One axial slice (15 of 49, counting up from the lowest) of an arterial-phase abdominal CT acquired with 120 kVp, kernel B31f; each pixel is 0.691 mm and the slice is 5.00 mm thick.
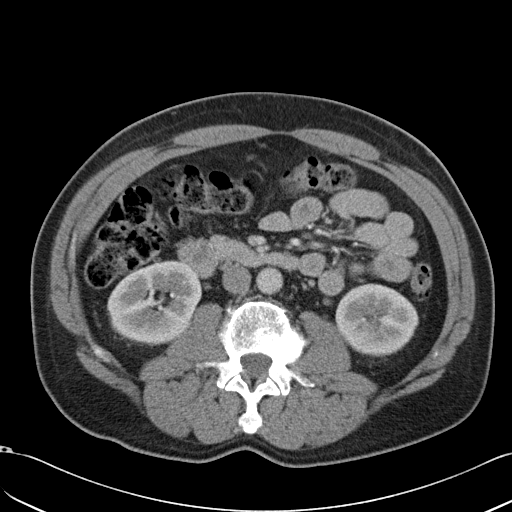
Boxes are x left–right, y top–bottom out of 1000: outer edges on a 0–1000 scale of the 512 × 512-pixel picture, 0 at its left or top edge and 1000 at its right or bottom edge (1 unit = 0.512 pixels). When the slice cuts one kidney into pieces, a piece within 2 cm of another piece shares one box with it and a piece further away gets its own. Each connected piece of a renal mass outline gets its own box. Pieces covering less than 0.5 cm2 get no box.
Boxed on this slice (two kidney boxes), listed by box centre from the image's left to its right: (1) Right kidney at x 209–393, y 510–676 out of 1000 (outlined area 5,978 px, about 28.6 cm2). (2) Left kidney, box x 654–818, y 553–697 out of 1000 (outlined area 4,684 px, about 22.4 cm2). No renal mass outline on this slice.